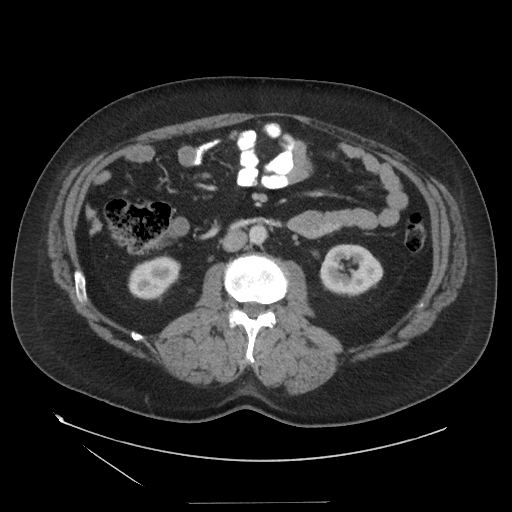
Axial slice 71 of 129 of a contrast-enhanced abdominal CT in the arterial phase (slice 1 is the lowest), 140 kVp, kernel STANDARD; 3.75 mm slice thickness and 0.938 mm pixels.
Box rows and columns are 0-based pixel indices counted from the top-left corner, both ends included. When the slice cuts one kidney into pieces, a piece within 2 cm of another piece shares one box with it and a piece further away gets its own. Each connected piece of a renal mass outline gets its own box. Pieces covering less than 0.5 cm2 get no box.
Boxed on this slice (two kidney boxes), listed by box centre from the image's left to its right: (1) Right kidney at rows 255–298, columns 128–180 (outlined area 1,718 px, about 15.1 cm2). (2) Left kidney at rows 244–297, columns 319–383 (outlined area 2,599 px, about 22.8 cm2). No renal mass is outlined on this slice.